One axial slice (312 of 581, counting up from the lowest) of an arterial-phase abdominal CT acquired with 120 kVp, kernel B30f; each pixel is 0.713 mm and the slice is 1.00 mm thick.
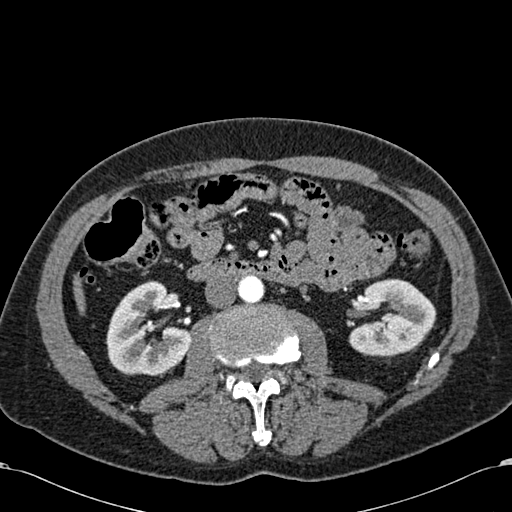
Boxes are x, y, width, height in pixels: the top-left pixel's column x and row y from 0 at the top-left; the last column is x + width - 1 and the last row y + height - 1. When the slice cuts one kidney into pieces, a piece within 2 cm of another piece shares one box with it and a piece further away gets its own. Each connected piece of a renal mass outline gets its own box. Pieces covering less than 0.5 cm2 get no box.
Two kidney boxes on this slice; by box centre, from the image's left to its right: (1) Right kidney at x 106, y 280, width 85, height 96 (outlined area 5,480 px, about 27.9 cm2). (2) Box x 348, y 278, width 89, height 79: left kidney (outlined area 5,119 px, about 26.0 cm2). No renal mass outline on this slice.